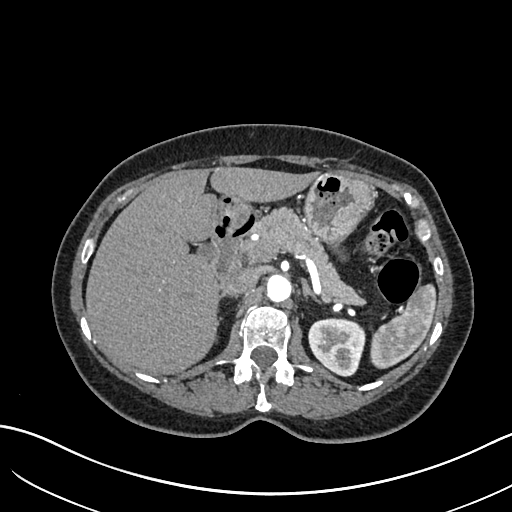
Abdominal CT with intravenous contrast, arterial phase, axial plane, 120 kVp, kernel I30f. Slice 448/683 from the bottom of the scan; thickness 1.00 mm; pixel size 0.738 mm.
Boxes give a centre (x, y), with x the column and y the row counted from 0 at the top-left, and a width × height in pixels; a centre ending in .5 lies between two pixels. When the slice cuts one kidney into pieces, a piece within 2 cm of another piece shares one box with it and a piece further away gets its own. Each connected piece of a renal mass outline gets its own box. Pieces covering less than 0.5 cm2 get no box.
Left kidney in a box with centre (336.5, 346.5), 58 × 60 pixels (outlined area 2,618 px, about 14.3 cm2). This slice carries no renal mass outline.